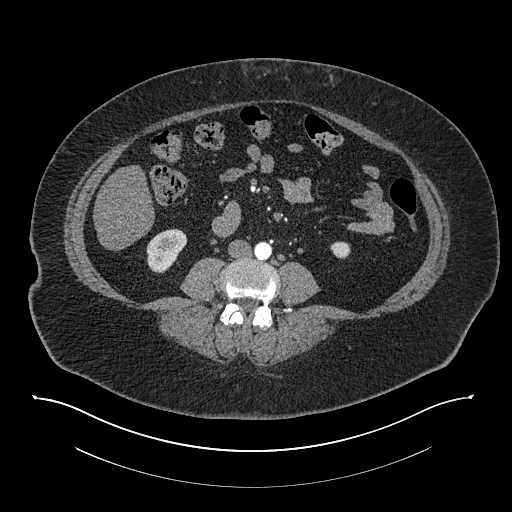
Arterial-phase contrast-enhanced abdominal CT, axial slice 345 of 673 (counted from the lowest slice); tube voltage 140 kVp, convolution kernel I30f; slices 1.00 mm thick, 0.957 mm per pixel.
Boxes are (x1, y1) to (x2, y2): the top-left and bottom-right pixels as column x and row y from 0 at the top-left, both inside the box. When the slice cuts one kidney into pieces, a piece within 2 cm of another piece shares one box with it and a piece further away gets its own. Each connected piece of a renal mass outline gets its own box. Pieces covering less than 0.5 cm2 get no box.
Boxed on this slice (two kidney boxes), listed by box centre from the image's left to its right: (1) Box (146, 228) to (187, 273): right kidney (outlined area 1,290 px, about 11.8 cm2). (2) Left kidney, box (330, 241) to (350, 258) (outlined area 291 px, about 2.7 cm2). No renal mass outline on this slice.